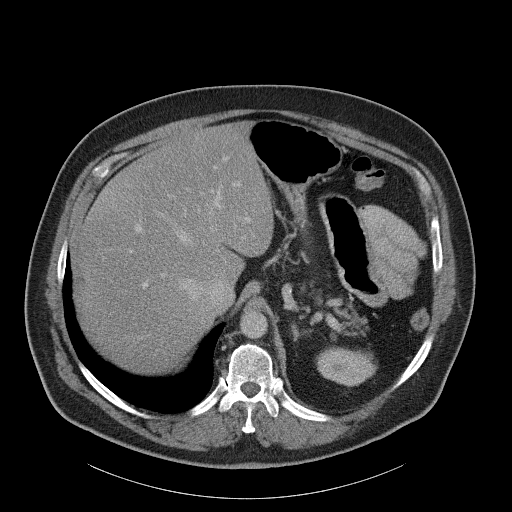
Contrast-enhanced abdominal CT, axial slice 83 of 107 (counted from the lowest slice); tube voltage 120 kVp, convolution kernel B31f; slices 5.00 mm thick, 0.941 mm per pixel.
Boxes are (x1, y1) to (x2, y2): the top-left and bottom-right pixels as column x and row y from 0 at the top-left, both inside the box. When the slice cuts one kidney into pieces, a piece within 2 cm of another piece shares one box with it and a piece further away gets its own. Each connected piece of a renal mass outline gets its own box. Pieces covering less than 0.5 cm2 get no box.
Box (316, 346) to (377, 386): left kidney (outlined area 1,840 px, about 16.3 cm2). No renal mass is outlined on this slice.